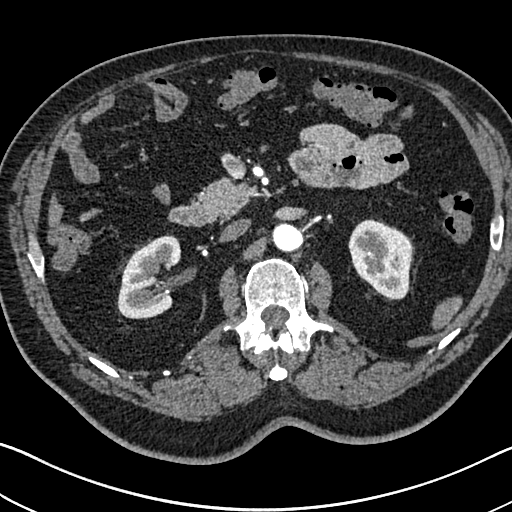
Abdominal CT with intravenous contrast, arterial phase, axial plane, 120 kVp, kernel I30f. Slice 437/705 from the bottom of the scan; thickness 1.00 mm; pixel size 0.703 mm.
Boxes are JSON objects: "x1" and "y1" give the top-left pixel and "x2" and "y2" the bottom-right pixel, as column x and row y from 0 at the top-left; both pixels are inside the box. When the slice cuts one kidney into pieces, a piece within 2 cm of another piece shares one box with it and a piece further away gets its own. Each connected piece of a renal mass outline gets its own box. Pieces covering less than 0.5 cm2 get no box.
Two kidney boxes on this slice; by box centre, from the image's left to its right: (1) Right kidney at {"x1": 117, "y1": 234, "x2": 181, "y2": 318} (outlined area 3,858 px, about 19.1 cm2). (2) Left kidney at {"x1": 348, "y1": 219, "x2": 412, "y2": 299} (outlined area 3,876 px, about 19.2 cm2). This slice carries no renal mass outline.